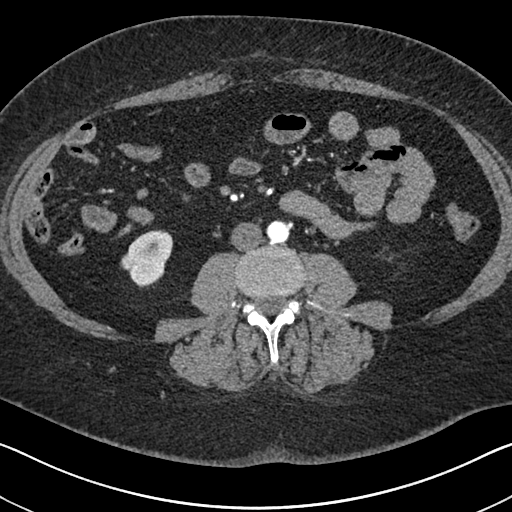
Abdominal CT with intravenous contrast, arterial phase, axial plane, 140 kVp, kernel I30f. Slice 287/591 from the bottom of the scan; thickness 1.00 mm; pixel size 0.703 mm.
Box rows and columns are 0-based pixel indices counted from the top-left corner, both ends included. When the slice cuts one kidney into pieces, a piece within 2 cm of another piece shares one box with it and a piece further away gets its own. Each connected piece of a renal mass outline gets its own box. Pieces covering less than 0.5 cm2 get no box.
Right kidney, box rows 230–287, columns 120–173 (outlined area 2,080 px, about 10.3 cm2). No renal mass is outlined on this slice.